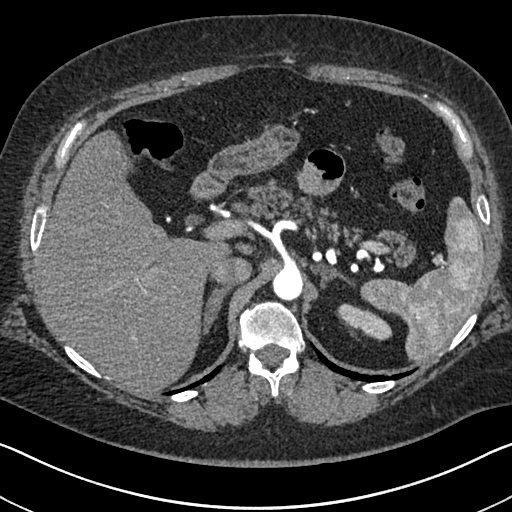
Axial slice 508 of 591 of a contrast-enhanced abdominal CT in the arterial phase (slice 1 is the lowest), 140 kVp, kernel I30f; 1.00 mm slice thickness and 0.703 mm pixels.
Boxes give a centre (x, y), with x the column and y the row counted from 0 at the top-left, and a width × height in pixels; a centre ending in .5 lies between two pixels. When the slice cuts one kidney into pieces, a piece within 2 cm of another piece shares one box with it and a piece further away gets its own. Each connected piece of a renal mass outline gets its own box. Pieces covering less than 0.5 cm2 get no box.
Left kidney in a box with centre (364.5, 321.5), 56 × 38 pixels (outlined area 1,126 px, about 5.6 cm2). No renal mass outline on this slice.